Axial slice 464 of 591 of a contrast-enhanced abdominal CT in the arterial phase (slice 1 is the lowest), 140 kVp, kernel I30f; 1.00 mm slice thickness and 0.703 mm pixels.
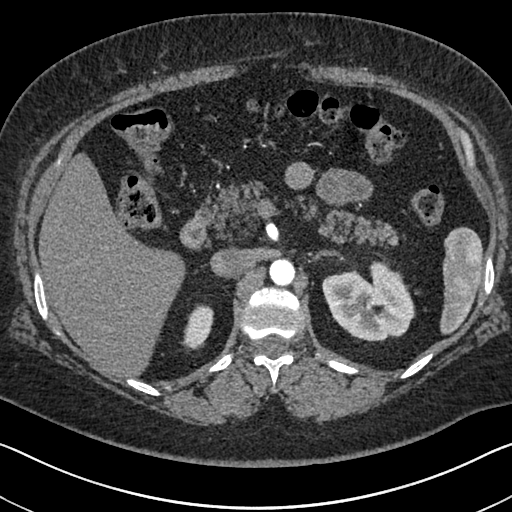
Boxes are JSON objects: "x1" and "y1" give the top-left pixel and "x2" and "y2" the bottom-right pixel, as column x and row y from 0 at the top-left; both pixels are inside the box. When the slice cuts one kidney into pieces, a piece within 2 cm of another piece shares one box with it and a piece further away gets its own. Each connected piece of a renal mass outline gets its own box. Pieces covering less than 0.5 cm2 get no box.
Two boxes on this slice (two kidney boxes), listed by box centre from the image's left to its right. (1) Box {"x1": 181, "y1": 304, "x2": 213, "y2": 350}: right kidney (outlined area 1,041 px, about 5.1 cm2). (2) Box {"x1": 322, "y1": 260, "x2": 415, "y2": 341}: left kidney (outlined area 5,324 px, about 26.3 cm2). No renal mass outline on this slice.